One axial slice (108 of 153, counting up from the lowest) of a contrast-enhanced abdominal CT acquired with 120 kVp, kernel I41f; each pixel is 0.893 mm and the slice is 3.00 mm thick.
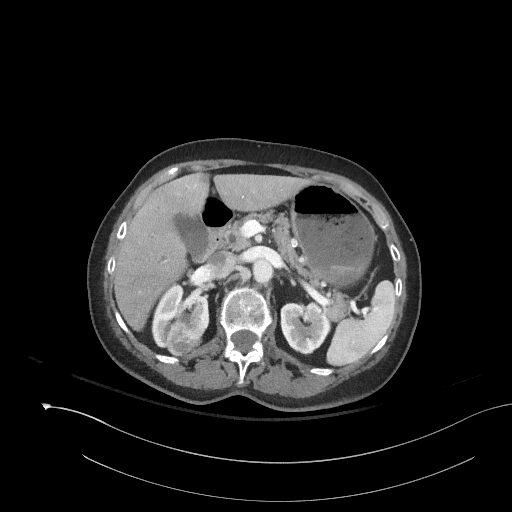
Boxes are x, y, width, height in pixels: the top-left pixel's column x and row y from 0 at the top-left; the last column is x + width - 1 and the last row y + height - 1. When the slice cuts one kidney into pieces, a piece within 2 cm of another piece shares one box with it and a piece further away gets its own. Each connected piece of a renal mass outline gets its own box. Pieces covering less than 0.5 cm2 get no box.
Boxed on this slice (two kidney boxes and one renal mass box), listed by box centre from the image's left to its right: (1) Right kidney at x 151, y 282, width 57, height 64 (outlined area 2,227 px, about 17.7 cm2). (2) Right renal mass, box x 166, y 322, width 36, height 35 (outlined area 785 px, about 6.3 cm2). (3) Left kidney, box x 281, y 302, width 50, height 54 (outlined area 2,012 px, about 16.0 cm2).